One axial slice (1 of 94, counting up from the lowest) of a contrast-enhanced abdominal CT acquired with 120 kVp, kernel B41f; each pixel is 0.977 mm and the slice is 3.00 mm thick.
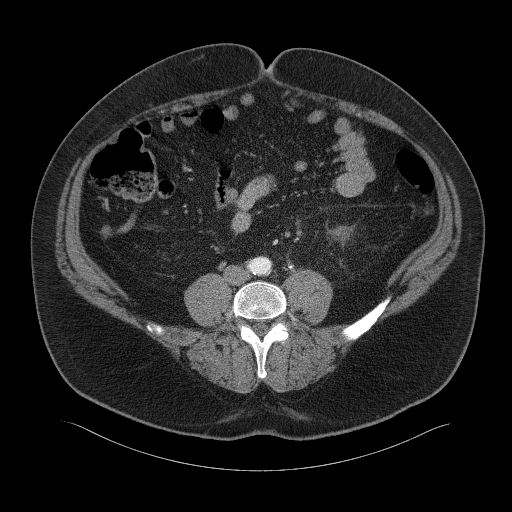
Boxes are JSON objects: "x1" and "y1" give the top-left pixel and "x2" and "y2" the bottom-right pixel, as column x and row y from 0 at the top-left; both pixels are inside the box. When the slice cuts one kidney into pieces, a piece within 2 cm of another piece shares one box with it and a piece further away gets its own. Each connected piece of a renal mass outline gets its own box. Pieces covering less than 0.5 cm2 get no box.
Left kidney, box {"x1": 332, "y1": 226, "x2": 351, "y2": 243} (outlined area 260 px, about 2.5 cm2). This slice carries no renal mass outline.